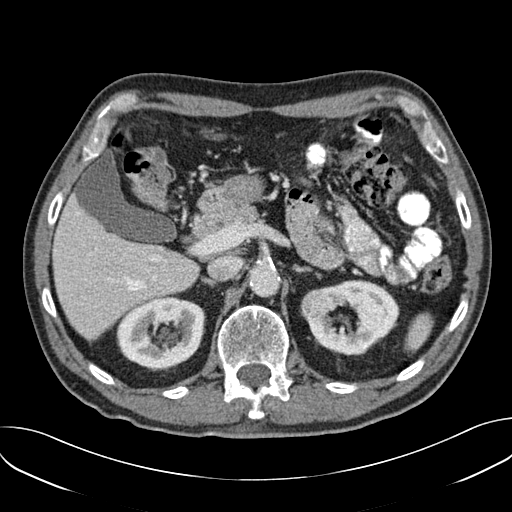
Abdominal CT with intravenous contrast, arterial phase, axial plane, 120 kVp, kernel B30f. Slice 113/157 from the bottom of the scan; thickness 3.00 mm; pixel size 0.742 mm.
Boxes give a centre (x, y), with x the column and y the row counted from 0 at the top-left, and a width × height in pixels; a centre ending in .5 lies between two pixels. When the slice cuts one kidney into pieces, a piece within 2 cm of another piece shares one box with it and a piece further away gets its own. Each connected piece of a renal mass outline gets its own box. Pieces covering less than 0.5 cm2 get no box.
Two kidney boxes and one renal mass box on this slice; by box centre, from the image's left to its right: (1) Right kidney, box centre (160.5, 333), 90 × 77 pixels (outlined area 5,164 px, about 28.4 cm2). (2) Box centre (313, 303), 27 × 29 pixels: left renal mass (outlined area 615 px, about 3.4 cm2). (3) Left kidney in a box with centre (350.5, 317), 98 × 77 pixels (outlined area 4,672 px, about 25.7 cm2).